Abdominal CT with intravenous contrast, arterial phase, axial plane, 100 kVp, kernel I41f. Slice 17/50 from the bottom of the scan; thickness 3.00 mm; pixel size 0.758 mm.
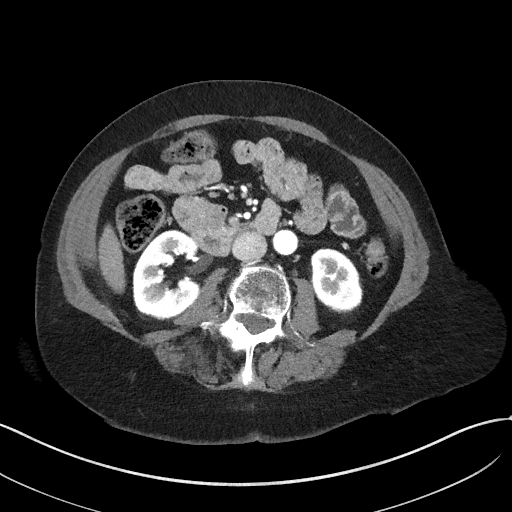
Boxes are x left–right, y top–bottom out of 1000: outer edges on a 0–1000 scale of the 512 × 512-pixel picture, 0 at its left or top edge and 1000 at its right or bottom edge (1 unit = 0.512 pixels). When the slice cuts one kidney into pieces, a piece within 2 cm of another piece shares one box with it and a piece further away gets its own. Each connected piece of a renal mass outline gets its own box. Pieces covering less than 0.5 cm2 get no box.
Two boxes on this slice (two kidney boxes), listed by box centre from the image's left to its right. (1) Box x 258–395, y 449–625 out of 1000: right kidney (outlined area 4,204 px, about 24.1 cm2). (2) Left kidney at x 607–709, y 484–613 out of 1000 (outlined area 2,616 px, about 15.0 cm2). No renal mass outline on this slice.